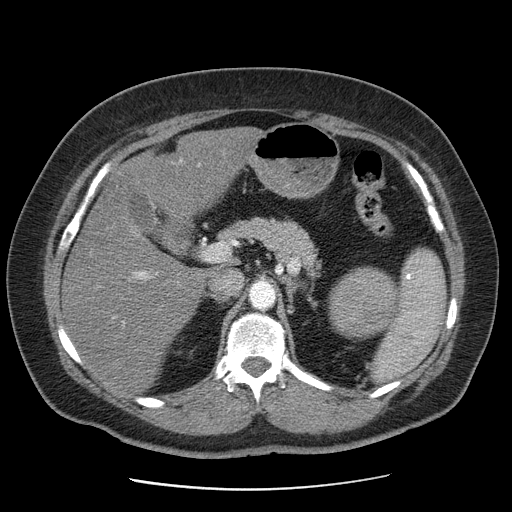
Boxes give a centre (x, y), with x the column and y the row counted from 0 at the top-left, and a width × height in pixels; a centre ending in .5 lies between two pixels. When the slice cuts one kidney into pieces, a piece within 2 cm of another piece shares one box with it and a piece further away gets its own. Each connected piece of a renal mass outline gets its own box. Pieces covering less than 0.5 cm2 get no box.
This is axial slice 64 of 103 (slice 1 is the lowest) of an abdominal CT with contrast; each pixel is 0.736 mm and the slice is 2.50 mm thick. Left renal mass in a box with centre (362.5, 303), 72 × 75 pixels (outlined area 4,094 px, about 22.2 cm2); this slice has no kidney outline, though on another slice the same outlined renal mass lies within 1 cm of the kidney.
Acquired at 120 kVp and reconstructed with the STANDARD kernel.